One axial slice (362 of 512, counting up from the lowest) of an arterial-phase abdominal CT acquired with 120 kVp, kernel B30f; each pixel is 0.771 mm and the slice is 1.00 mm thick.
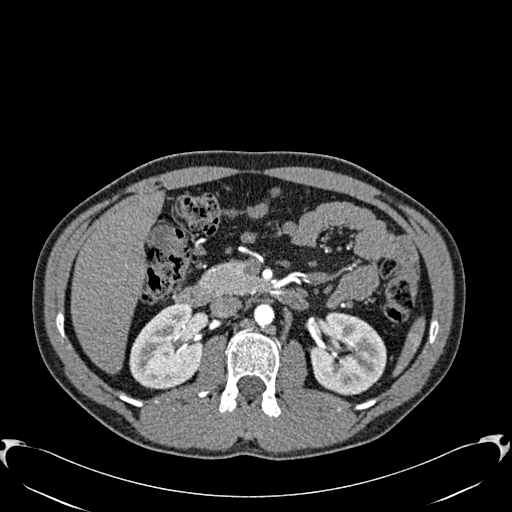
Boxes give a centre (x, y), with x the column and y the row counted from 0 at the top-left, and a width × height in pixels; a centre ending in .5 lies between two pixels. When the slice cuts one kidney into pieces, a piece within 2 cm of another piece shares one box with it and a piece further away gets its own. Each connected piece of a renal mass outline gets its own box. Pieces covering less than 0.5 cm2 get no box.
Two boxes on this slice (two kidney boxes), listed by box centre from the image's left to its right. (1) Box centre (166, 346.5), 75 × 86 pixels: right kidney (outlined area 4,703 px, about 28.0 cm2). (2) Left kidney, box centre (348, 353.5), 77 × 84 pixels (outlined area 4,819 px, about 28.7 cm2). No renal mass outline on this slice.